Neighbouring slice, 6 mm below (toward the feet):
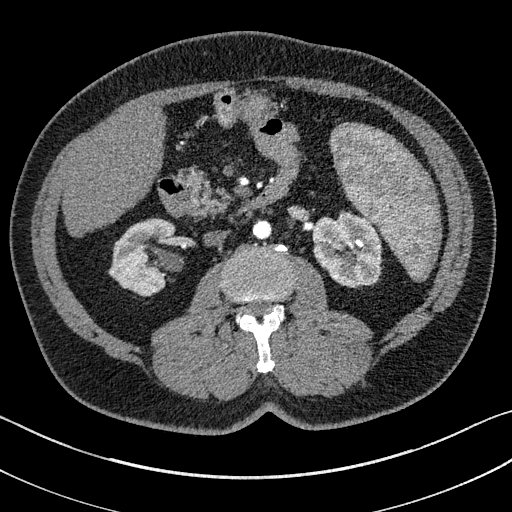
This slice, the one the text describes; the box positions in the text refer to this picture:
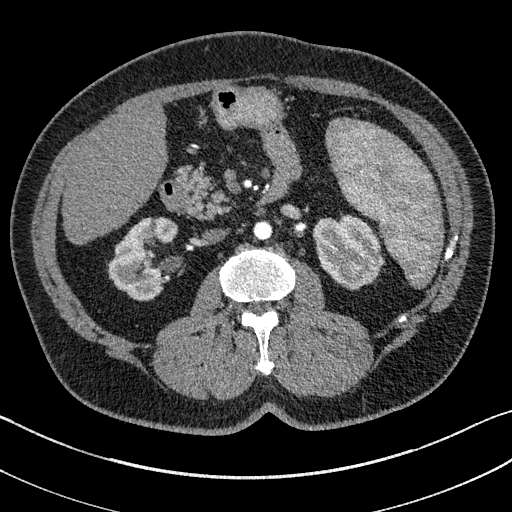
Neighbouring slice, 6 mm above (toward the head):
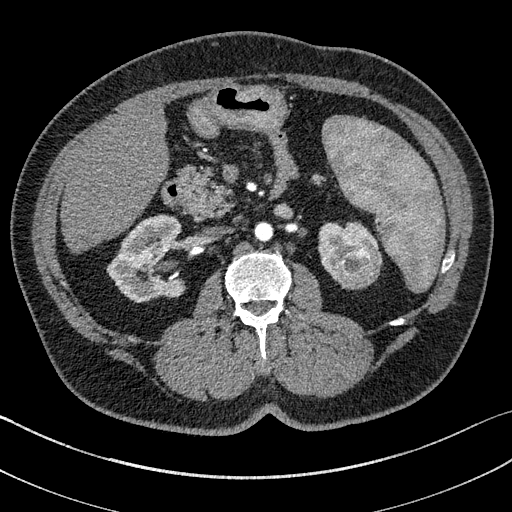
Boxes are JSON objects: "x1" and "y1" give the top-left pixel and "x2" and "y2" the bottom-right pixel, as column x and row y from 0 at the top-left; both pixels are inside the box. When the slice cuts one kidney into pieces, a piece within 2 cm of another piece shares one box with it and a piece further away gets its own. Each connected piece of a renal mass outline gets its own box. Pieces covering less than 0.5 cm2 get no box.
This is axial slice 82 of 195 (slice 1 is the lowest) of an arterial-phase abdominal CT with contrast; each pixel is 0.707 mm and the slice is 1.50 mm thick. Two kidney boxes and one renal mass box on this slice; by box centre, from the image's left to its right: (1) Right kidney, box {"x1": 108, "y1": 217, "x2": 177, "y2": 300} (outlined area 3,700 px, about 18.5 cm2). (2) Left kidney at {"x1": 313, "y1": 215, "x2": 383, "y2": 289} (outlined area 3,158 px, about 15.8 cm2). (3) Box {"x1": 348, "y1": 253, "x2": 380, "y2": 279}: left renal mass (outlined area 706 px, about 3.5 cm2). This slice is near the end of the left renal mass toward the feet, so the slices 6 mm below and 6 mm above it are shown as well; the boxes refer to this slice only.
Tube voltage 100 kVp; convolution kernel I31f.